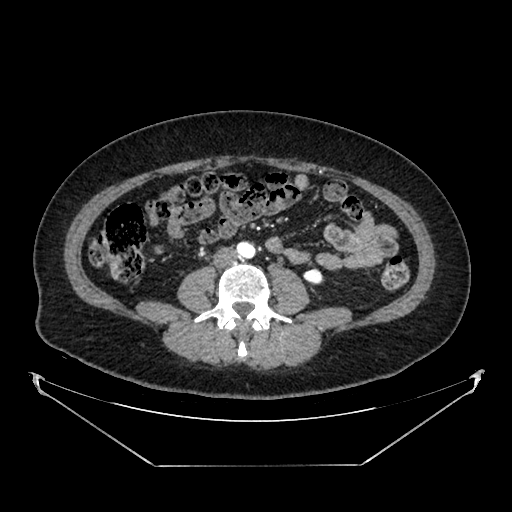
Arterial-phase contrast-enhanced abdominal CT, axial slice 183 of 383 (counted from the lowest slice); tube voltage 100 kVp, convolution kernel SOFT; slices 1.25 mm thick, 0.898 mm per pixel.
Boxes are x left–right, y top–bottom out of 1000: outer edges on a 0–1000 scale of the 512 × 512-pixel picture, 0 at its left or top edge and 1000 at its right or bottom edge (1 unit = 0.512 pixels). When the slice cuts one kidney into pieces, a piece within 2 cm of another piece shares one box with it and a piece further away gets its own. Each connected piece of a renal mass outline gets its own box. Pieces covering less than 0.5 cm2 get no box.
Box x 592–633, y 523–555 out of 1000: left kidney (outlined area 248 px, about 2.0 cm2). No renal mass outline on this slice.